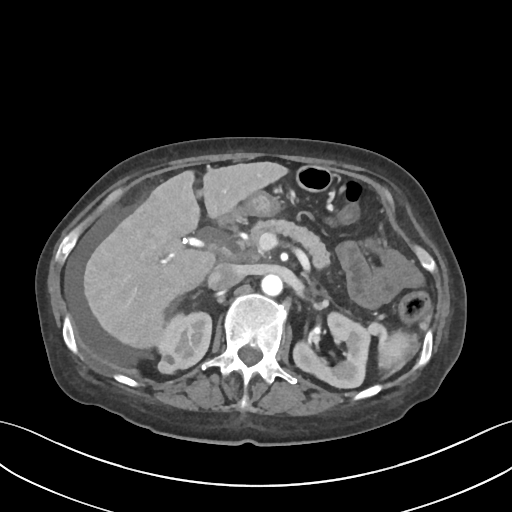
Abdominal CT with intravenous contrast, axial plane, 120 kVp, kernel I30f. Slice 52/109 from the bottom of the scan; thickness 3.00 mm; pixel size 0.742 mm.
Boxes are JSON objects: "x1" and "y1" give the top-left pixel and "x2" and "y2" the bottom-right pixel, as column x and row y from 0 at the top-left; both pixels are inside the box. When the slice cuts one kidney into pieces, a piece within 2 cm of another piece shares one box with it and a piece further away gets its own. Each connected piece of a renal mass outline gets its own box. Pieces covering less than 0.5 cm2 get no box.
Boxed on this slice (two kidney boxes and one renal mass box), listed by box centre from the image's left to its right: (1) Box {"x1": 157, "y1": 353, "x2": 177, "y2": 374}: right renal mass (outlined area 357 px, about 2.0 cm2). (2) Right kidney at {"x1": 156, "y1": 310, "x2": 212, "y2": 370} (outlined area 2,407 px, about 13.3 cm2). (3) Left kidney, box {"x1": 293, "y1": 310, "x2": 371, "y2": 389} (outlined area 4,020 px, about 22.1 cm2).